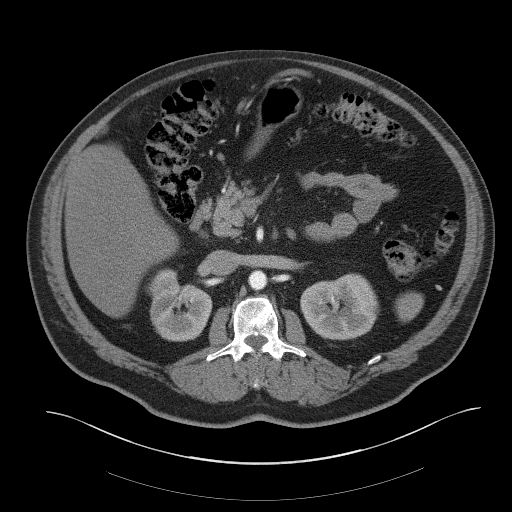
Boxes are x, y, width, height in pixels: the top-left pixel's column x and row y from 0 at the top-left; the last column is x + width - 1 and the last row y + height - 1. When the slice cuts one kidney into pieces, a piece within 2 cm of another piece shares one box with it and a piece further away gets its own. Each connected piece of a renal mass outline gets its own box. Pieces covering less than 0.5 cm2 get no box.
Slice 31/61 of a contrast-enhanced abdominal CT, counting up from the lowest; pixel size 0.939 mm, slice thickness 3.00 mm. Two kidney boxes on this slice; by box centre, from the image's left to its right: (1) Right kidney at x 147, y 268, width 66, height 74 (outlined area 3,373 px, about 29.8 cm2). (2) Left kidney, box x 300, y 273, width 80, height 68 (outlined area 4,082 px, about 36.0 cm2). No renal mass outline on this slice.
Tube voltage 140 kVp; convolution kernel B41f.